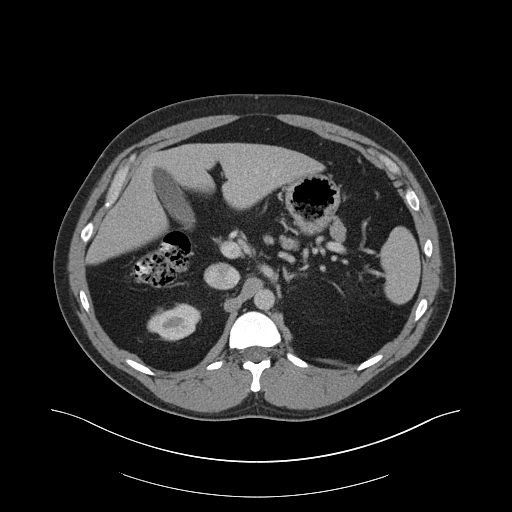
Axial slice 125 of 159 of a contrast-enhanced abdominal CT in the arterial phase (slice 1 is the lowest), 140 kVp, kernel B30f; 3.00 mm slice thickness and 0.977 mm pixels.
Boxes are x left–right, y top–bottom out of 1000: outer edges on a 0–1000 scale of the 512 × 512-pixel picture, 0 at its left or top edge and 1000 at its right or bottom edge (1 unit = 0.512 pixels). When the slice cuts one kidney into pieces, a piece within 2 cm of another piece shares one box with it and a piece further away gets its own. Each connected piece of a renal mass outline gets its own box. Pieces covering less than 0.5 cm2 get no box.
Right kidney at x 287–393, y 594–666 out of 1000 (outlined area 1,421 px, about 13.6 cm2). This slice carries no renal mass outline.